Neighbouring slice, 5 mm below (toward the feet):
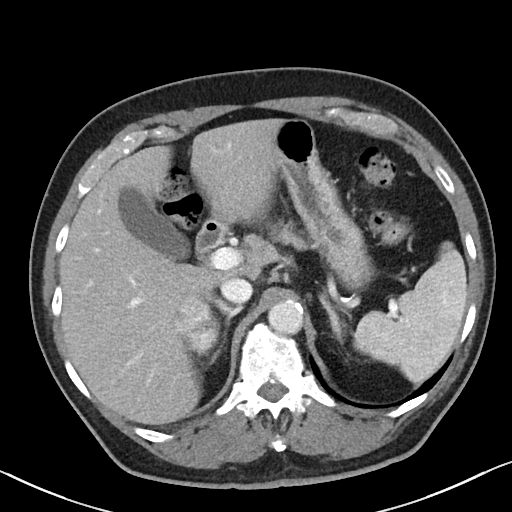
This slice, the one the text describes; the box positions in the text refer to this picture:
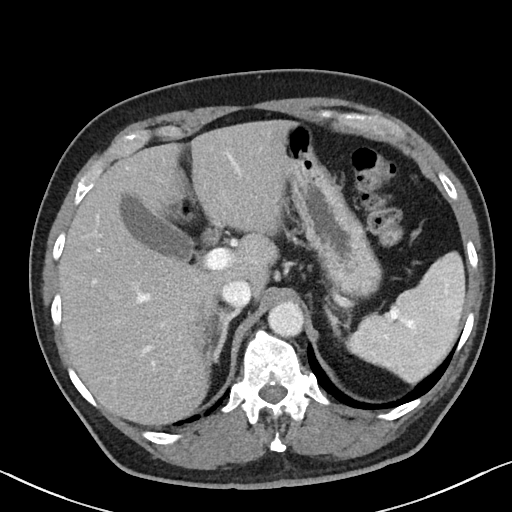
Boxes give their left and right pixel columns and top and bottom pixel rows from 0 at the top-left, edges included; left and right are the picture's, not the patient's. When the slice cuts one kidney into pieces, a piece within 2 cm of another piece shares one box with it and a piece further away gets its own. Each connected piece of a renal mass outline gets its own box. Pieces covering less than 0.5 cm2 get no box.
Slice 71/90 of a contrast-enhanced abdominal CT, counting up from the lowest; pixel size 0.684 mm, slice thickness 5.00 mm. Box with left 188, top 309, right 208, bottom 344: right renal mass (outlined area 519 px, about 2.4 cm2); no kidney is outlined on this slice, but the same outlined renal mass comes within 1 cm of the kidney on another slice. This slice lies near the end of the right renal mass toward the head; the slice 5 mm below it is shown too, and the boxes mark positions on this slice only.
Tube voltage 100 kVp; convolution kernel I40f.